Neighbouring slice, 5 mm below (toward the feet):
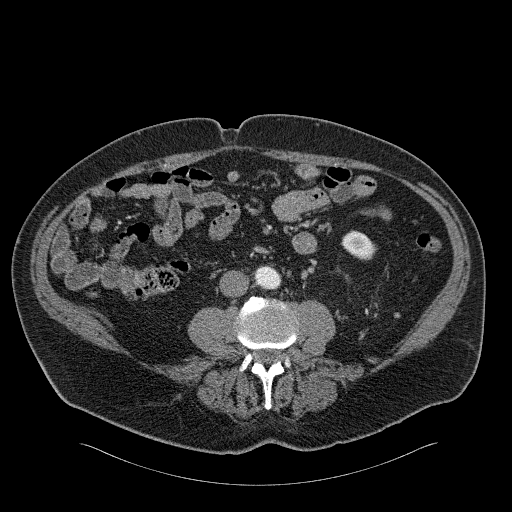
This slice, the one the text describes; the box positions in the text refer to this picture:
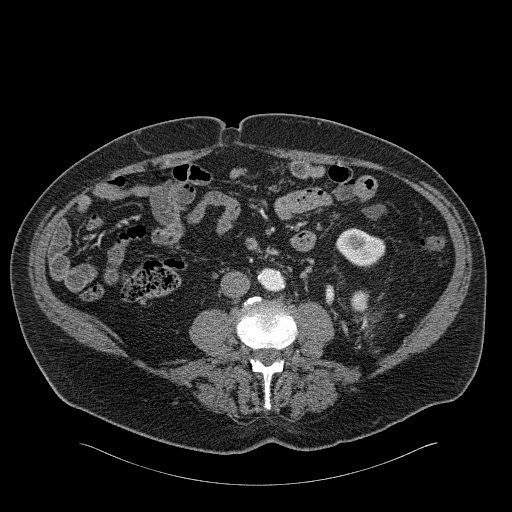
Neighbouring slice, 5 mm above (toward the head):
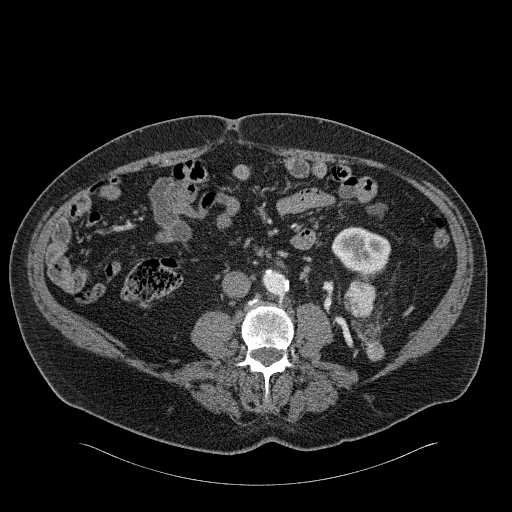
One axial slice (64 of 326, counting up from the lowest) of an arterial-phase abdominal CT acquired with 120 kVp, kernel B31f; each pixel is 0.963 mm and the slice is 2.00 mm thick.
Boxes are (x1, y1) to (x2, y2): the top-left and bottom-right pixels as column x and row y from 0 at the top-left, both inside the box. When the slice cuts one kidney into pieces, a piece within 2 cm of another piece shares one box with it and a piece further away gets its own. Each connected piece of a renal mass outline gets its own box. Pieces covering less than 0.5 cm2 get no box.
Two boxes on this slice (one kidney box and one renal mass box), listed by box centre from the image's left to its right. (1) Left renal mass, box (350, 290) to (369, 312) (outlined area 347 px, about 3.2 cm2); on this slice it lies more than 1 cm from any kidney outline, but the same outlined renal mass comes within 1 cm of the kidney on another slice. (2) Left kidney from (335, 228) to (385, 266) (outlined area 1,404 px, about 13.0 cm2). This slice is near the end of the left renal mass toward the feet, so the slices 5 mm below and 5 mm above it are shown as well; the boxes refer to this slice only.